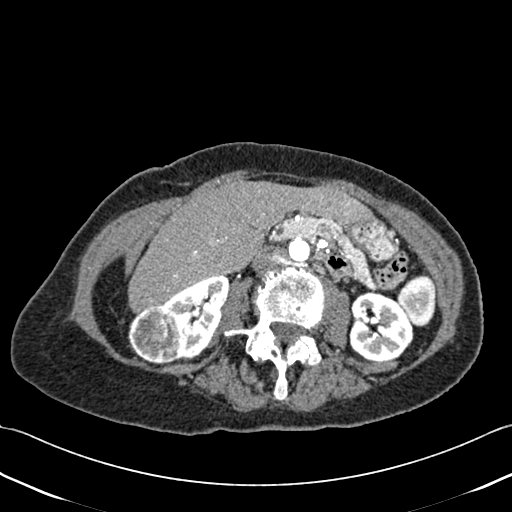
Abdominal CT with intravenous contrast, axial plane, 120 kVp, kernel B30f. Slice 220/433 from the bottom of the scan; thickness 1.00 mm; pixel size 0.672 mm.
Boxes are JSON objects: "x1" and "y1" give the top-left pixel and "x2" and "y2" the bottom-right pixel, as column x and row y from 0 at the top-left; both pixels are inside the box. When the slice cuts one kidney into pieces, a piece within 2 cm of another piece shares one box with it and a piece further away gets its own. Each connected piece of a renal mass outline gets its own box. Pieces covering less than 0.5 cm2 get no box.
Boxed on this slice (two kidney boxes and one renal mass box), listed by box centre from the image's left to its right: (1) Right renal mass at {"x1": 128, "y1": 305, "x2": 185, "y2": 364} (outlined area 2,698 px, about 12.2 cm2). (2) Box {"x1": 160, "y1": 275, "x2": 229, "y2": 360}: right kidney (outlined area 3,104 px, about 14.0 cm2). (3) Box {"x1": 348, "y1": 291, "x2": 413, "y2": 361}: left kidney (outlined area 3,580 px, about 16.2 cm2).